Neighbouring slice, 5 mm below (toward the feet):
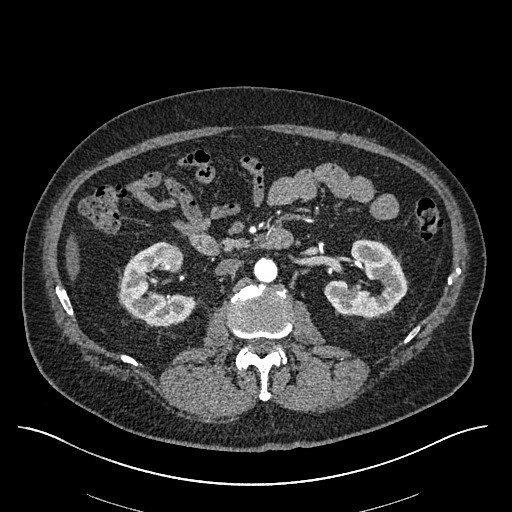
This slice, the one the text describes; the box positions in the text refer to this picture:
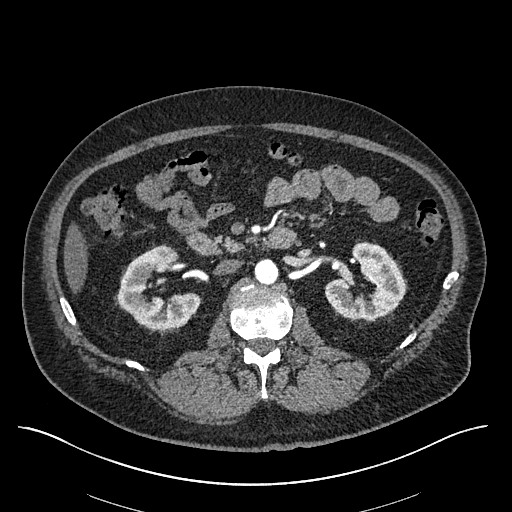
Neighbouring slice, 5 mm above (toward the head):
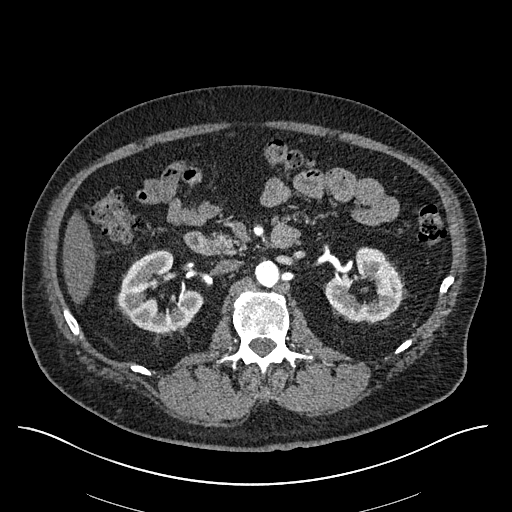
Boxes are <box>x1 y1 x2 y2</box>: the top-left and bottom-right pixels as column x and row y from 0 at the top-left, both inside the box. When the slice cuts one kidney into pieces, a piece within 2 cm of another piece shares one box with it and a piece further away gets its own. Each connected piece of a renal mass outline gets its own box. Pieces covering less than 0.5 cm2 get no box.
Slice 332/670 of a contrast-enhanced abdominal CT in the arterial phase, counting up from the lowest; pixel size 0.861 mm, slice thickness 1.00 mm. Two kidney boxes and one renal mass box on this slice; by box centre, from the image's left to its right: (1) Right kidney at <box>117 244 200 329</box> (outlined area 4,041 px, about 30.0 cm2). (2) Right renal mass at <box>164 248 179 262</box> (outlined area 192 px, about 1.4 cm2). (3) At <box>325 242 405 320</box>: left kidney (outlined area 4,125 px, about 30.6 cm2). This slice is near the end of the right renal mass toward the head, so the slices 5 mm below and 5 mm above it are shown as well; the boxes refer to this slice only.
Acquired at 120 kVp and reconstructed with the I30f kernel.